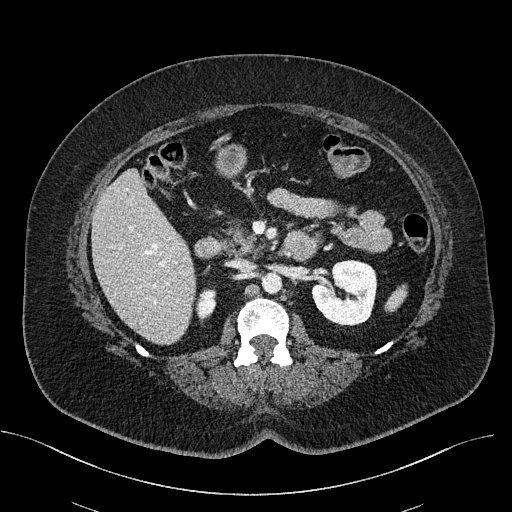
Contrast-enhanced abdominal CT, axial slice 309 of 470 (counted from the lowest slice); tube voltage 100 kVp, convolution kernel I40f; slices 2.00 mm thick, 0.824 mm per pixel.
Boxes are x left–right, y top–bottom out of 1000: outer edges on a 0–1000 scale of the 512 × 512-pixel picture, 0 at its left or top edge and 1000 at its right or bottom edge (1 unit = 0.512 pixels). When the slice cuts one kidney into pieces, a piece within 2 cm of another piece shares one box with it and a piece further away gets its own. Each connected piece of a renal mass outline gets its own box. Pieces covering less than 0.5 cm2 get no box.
Two kidney boxes on this slice; by box centre, from the image's left to its right: (1) Box x 381–424, y 563–621 out of 1000: right kidney (outlined area 504 px, about 3.4 cm2). (2) Left kidney at x 607–738, y 508–637 out of 1000 (outlined area 3,341 px, about 22.7 cm2). No renal mass is outlined on this slice.